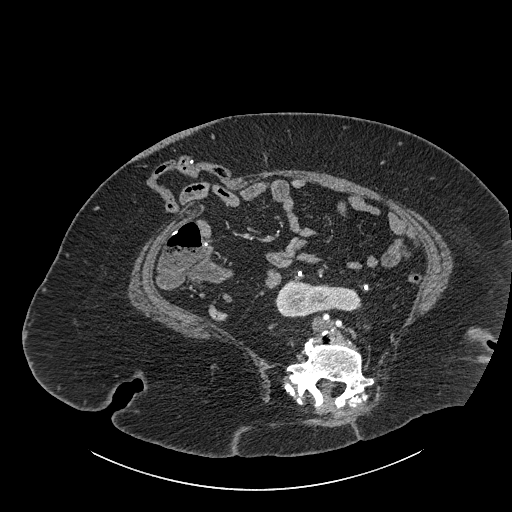
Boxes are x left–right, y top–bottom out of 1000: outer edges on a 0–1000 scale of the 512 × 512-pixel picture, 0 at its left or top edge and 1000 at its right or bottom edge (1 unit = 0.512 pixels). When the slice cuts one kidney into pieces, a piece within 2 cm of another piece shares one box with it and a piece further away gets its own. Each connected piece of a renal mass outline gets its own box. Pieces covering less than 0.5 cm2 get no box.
Slice 410/834 of a contrast-enhanced abdominal CT, counting up from the lowest; pixel size 0.977 mm, slice thickness 1.00 mm. Kidney crossing the body midline at x 537–707, y 547–621 out of 1000 (outlined area 2,363 px, about 22.5 cm2). No renal mass is outlined on this slice.
Scan settings: 140 kVp, I30f reconstruction kernel.